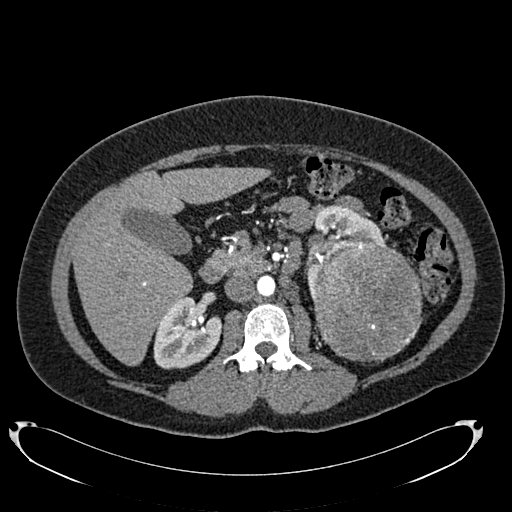
Axial slice 441 of 634 of a contrast-enhanced abdominal CT in the arterial phase (slice 1 is the lowest), 120 kVp, kernel B20f; 1.00 mm slice thickness and 0.838 mm pixels.
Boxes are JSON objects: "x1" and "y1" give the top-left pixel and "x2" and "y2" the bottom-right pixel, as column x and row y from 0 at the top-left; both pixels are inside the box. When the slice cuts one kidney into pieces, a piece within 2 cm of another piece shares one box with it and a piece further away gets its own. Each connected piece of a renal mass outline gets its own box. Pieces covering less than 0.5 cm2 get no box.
Three boxes on this slice (two kidney boxes and one renal mass box), listed by box centre from the image's left to its right. (1) Right kidney at {"x1": 153, "y1": 296, "x2": 221, "y2": 369} (outlined area 3,629 px, about 25.5 cm2). (2) Left kidney at {"x1": 305, "y1": 204, "x2": 386, "y2": 299} (outlined area 2,991 px, about 21.0 cm2). (3) Left renal mass at {"x1": 312, "y1": 242, "x2": 422, "y2": 362} (outlined area 10,579 px, about 74.3 cm2).